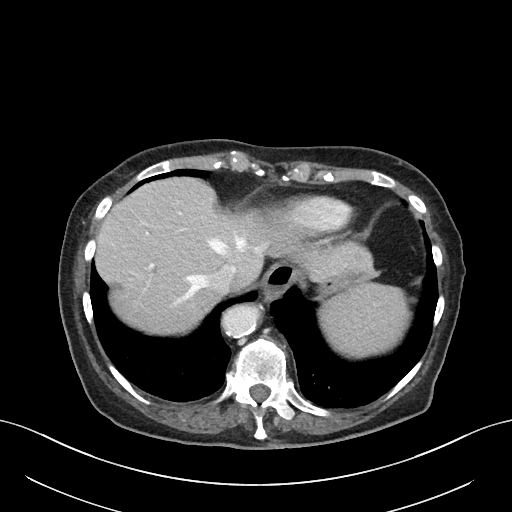
Contrast-enhanced abdominal CT, axial slice 64 of 76 (counted from the lowest slice); 3.00 mm thick, 0.768 mm per pixel. No kidney and no renal mass is outlined on this slice; the outlines in this scan cover only the kidneys and the renal masses, so nothing is said about any other organ.
Acquired at 100 kVp and reconstructed with the I40f kernel.